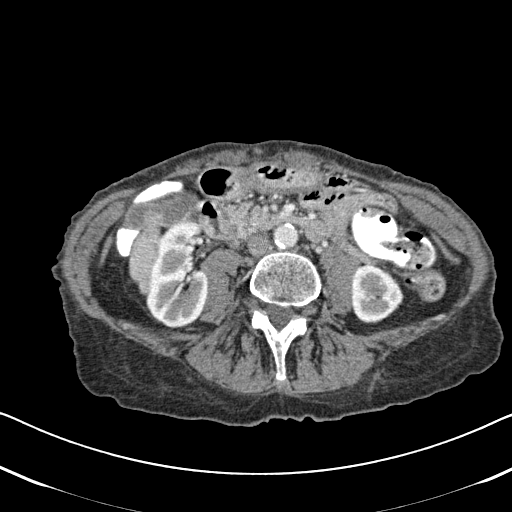
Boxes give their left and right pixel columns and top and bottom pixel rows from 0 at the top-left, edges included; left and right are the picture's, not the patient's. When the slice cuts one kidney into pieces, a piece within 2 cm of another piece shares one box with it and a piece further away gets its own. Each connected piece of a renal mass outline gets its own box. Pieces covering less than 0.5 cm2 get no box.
Slice 251/620 of a contrast-enhanced abdominal CT in the arterial phase, counting up from the lowest; pixel size 0.637 mm, slice thickness 2.00 mm. Boxed on this slice (two kidney boxes), listed by box centre from the image's left to its right: (1) Right kidney, the box with left 145, top 220, right 209, bottom 328 (outlined area 5,320 px, about 21.6 cm2). (2) Box with left 350, top 264, right 403, bottom 323: left kidney (outlined area 2,457 px, about 10.0 cm2). This slice carries no renal mass outline.
Tube voltage 120 kVp; convolution kernel B31f.